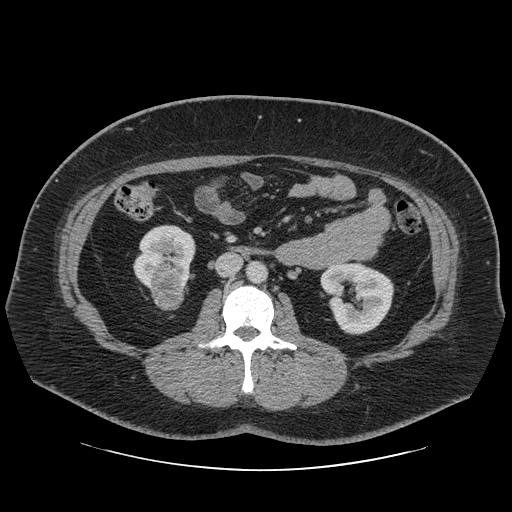
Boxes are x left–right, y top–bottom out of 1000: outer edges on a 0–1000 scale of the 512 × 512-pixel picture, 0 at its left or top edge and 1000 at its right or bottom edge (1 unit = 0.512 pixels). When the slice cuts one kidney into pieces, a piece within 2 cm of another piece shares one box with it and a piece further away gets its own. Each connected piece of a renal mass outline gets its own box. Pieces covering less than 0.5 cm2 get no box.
Arterial-phase contrast-enhanced abdominal CT, axial slice 24 of 69 (counted from the lowest slice); 2.50 mm thick, 0.846 mm per pixel. Boxed on this slice (two kidney boxes and one renal mass box), listed by box centre from the image's left to its right: (1) Right kidney at x 260–383, y 438–572 out of 1000 (outlined area 2,958 px, about 21.2 cm2). (2) Right renal mass at x 293–365, y 545–607 out of 1000 (outlined area 909 px, about 6.5 cm2). (3) Left kidney at x 625–771, y 512–654 out of 1000 (outlined area 3,930 px, about 28.1 cm2).
Acquired at 120 kVp and reconstructed with the STANDARD kernel.